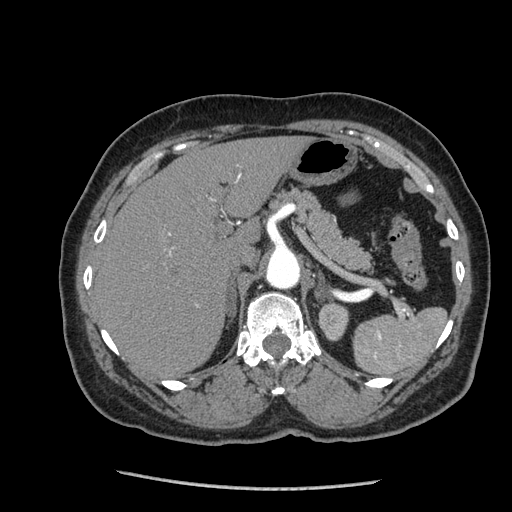
Abdominal CT with intravenous contrast, arterial phase, axial plane, 120 kVp, kernel STANDARD. Slice 165/233 from the bottom of the scan; thickness 1.25 mm; pixel size 0.703 mm.
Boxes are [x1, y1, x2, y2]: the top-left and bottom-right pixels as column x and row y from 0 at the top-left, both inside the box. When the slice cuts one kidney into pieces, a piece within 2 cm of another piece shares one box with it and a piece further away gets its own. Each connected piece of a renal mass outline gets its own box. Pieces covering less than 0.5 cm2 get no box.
Left kidney, box [318, 303, 349, 341] (outlined area 944 px, about 4.7 cm2). This slice carries no renal mass outline.